Abdominal CT with intravenous contrast, axial plane, 120 kVp, kernel FC18. Slice 59/91 from the bottom of the scan; thickness 5.00 mm; pixel size 0.766 mm.
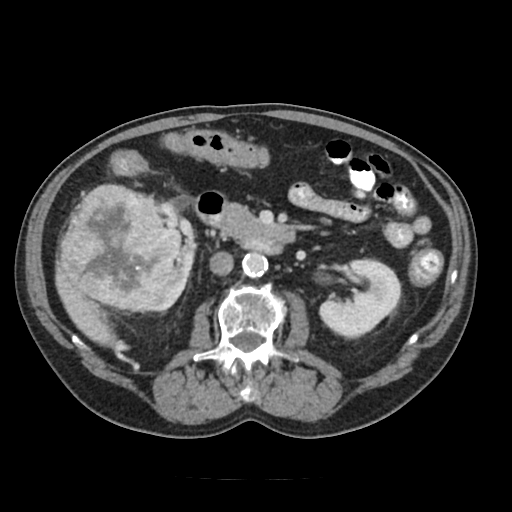
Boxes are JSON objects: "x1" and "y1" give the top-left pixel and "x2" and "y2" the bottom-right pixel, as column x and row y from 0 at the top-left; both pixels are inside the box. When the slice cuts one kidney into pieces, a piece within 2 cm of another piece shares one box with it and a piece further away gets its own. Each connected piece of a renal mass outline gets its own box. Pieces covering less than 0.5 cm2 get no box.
Boxed on this slice (two kidney boxes and one renal mass box), listed by box centre from the image's left to its right: (1) Right renal mass, box {"x1": 56, "y1": 185, "x2": 182, "y2": 312} (outlined area 12,121 px, about 71.1 cm2). (2) Right kidney at {"x1": 148, "y1": 217, "x2": 195, "y2": 311} (outlined area 1,435 px, about 8.4 cm2). (3) Left kidney at {"x1": 319, "y1": 259, "x2": 401, "y2": 336} (outlined area 4,437 px, about 26.0 cm2).